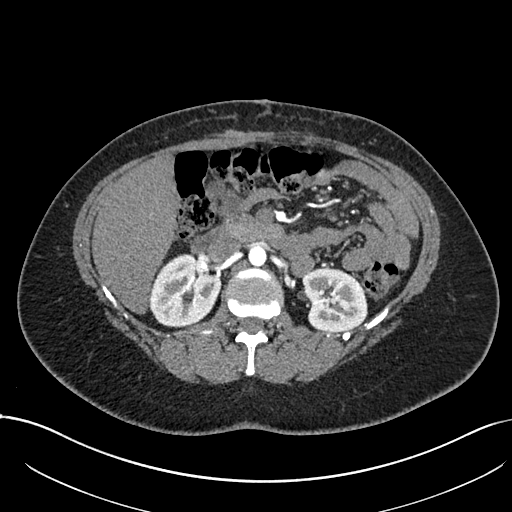
Axial slice 440 of 738 of a contrast-enhanced abdominal CT in the arterial phase (slice 1 is the lowest), 120 kVp, kernel I30f; 1.00 mm slice thickness and 0.789 mm pixels.
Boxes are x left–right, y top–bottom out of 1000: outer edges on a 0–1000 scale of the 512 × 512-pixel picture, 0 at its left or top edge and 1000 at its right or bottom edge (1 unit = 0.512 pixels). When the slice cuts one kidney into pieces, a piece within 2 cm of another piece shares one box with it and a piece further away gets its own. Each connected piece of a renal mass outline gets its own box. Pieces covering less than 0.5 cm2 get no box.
Two kidney boxes on this slice; by box centre, from the image's left to its right: (1) Right kidney, box x 293–432, y 494–641 out of 1000 (outlined area 3,899 px, about 24.3 cm2). (2) Box x 590–719, y 523–650 out of 1000: left kidney (outlined area 3,475 px, about 21.6 cm2). No renal mass is outlined on this slice.